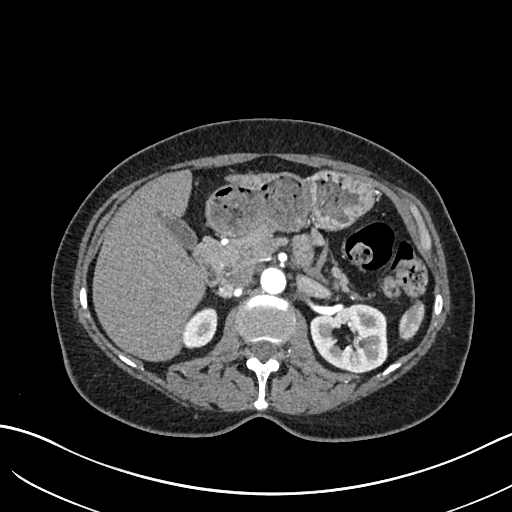
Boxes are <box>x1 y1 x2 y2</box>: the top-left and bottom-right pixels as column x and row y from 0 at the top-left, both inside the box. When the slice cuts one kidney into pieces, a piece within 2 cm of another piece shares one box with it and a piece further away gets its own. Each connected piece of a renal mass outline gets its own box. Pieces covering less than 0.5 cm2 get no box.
Slice 413/683 of a contrast-enhanced abdominal CT in the arterial phase, counting up from the lowest; pixel size 0.738 mm, slice thickness 1.00 mm. Boxed on this slice (two kidney boxes), listed by box centre from the image's left to its right: (1) At <box>183 307 217 348</box>: right kidney (outlined area 1,110 px, about 6.1 cm2). (2) Left kidney: <box>310 302 388 373</box> (outlined area 4,110 px, about 22.4 cm2). No renal mass is outlined on this slice.
Scan settings: 120 kVp, I30f reconstruction kernel.